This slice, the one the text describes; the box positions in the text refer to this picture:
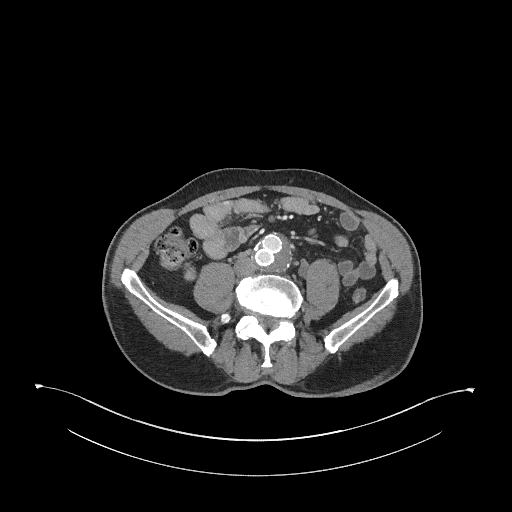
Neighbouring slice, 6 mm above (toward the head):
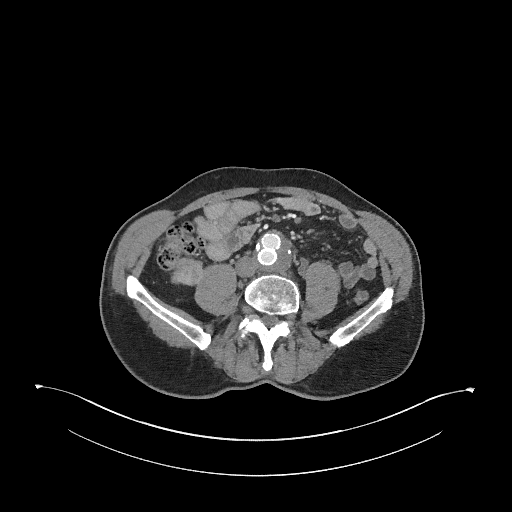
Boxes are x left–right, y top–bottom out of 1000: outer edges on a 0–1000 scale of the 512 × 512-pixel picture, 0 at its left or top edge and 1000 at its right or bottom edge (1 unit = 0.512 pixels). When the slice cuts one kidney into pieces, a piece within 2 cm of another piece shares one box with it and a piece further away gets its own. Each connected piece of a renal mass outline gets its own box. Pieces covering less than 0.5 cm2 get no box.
Slice 112/345 of a contrast-enhanced abdominal CT in the arterial phase, counting up from the lowest; pixel size 0.977 mm, slice thickness 2.00 mm. Right renal mass, box x 357–389, y 512–551 out of 1000 (outlined area 215 px, about 2.1 cm2); no kidney is outlined on this slice, but the same outlined renal mass comes within 1 cm of the kidney on another slice. This slice lies near the end of the right renal mass toward the feet; the slice 6 mm above it is shown too, and the boxes mark positions on this slice only.
Acquired at 120 kVp and reconstructed with the I31f kernel.